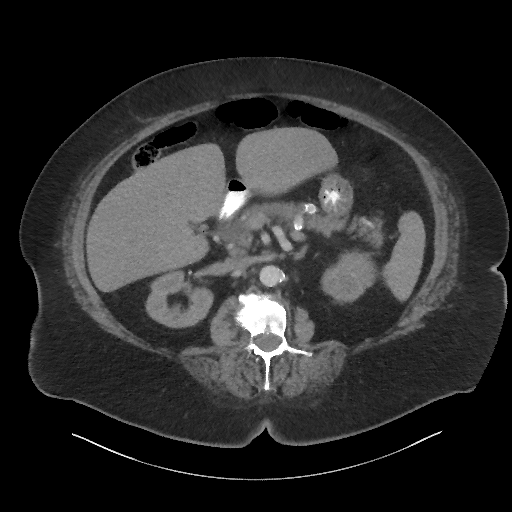
Contrast-enhanced abdominal CT, axial slice 41 of 86 (counted from the lowest slice); tube voltage 140 kVp, convolution kernel I44f; slices 3.00 mm thick, 0.977 mm per pixel.
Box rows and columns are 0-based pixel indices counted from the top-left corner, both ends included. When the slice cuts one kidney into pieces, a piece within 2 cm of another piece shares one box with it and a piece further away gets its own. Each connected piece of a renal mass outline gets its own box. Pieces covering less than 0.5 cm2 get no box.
Boxed on this slice (two kidney boxes), listed by box centre from the image's left to its right: (1) Right kidney, box rows 272–327, columns 145–213 (outlined area 2,689 px, about 25.6 cm2). (2) Box rows 249–304, columns 321–375: left kidney (outlined area 2,095 px, about 20.0 cm2). No renal mass outline on this slice.